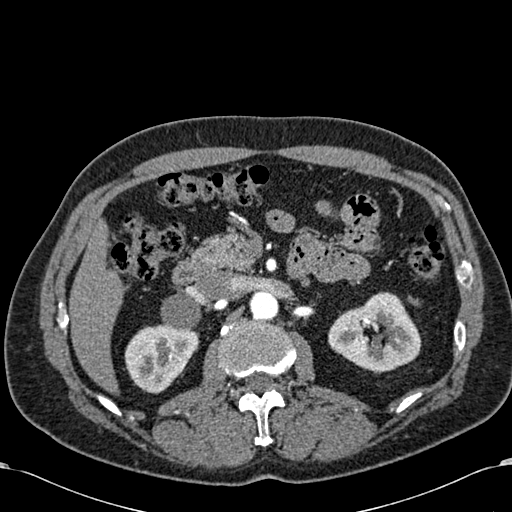
One axial slice (383 of 581, counting up from the lowest) of an arterial-phase abdominal CT acquired with 120 kVp, kernel B30f; each pixel is 0.713 mm and the slice is 1.00 mm thick.
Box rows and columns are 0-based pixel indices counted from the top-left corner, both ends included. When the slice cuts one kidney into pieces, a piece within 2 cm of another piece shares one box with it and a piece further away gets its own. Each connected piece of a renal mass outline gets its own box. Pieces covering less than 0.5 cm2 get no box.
Boxed on this slice (two kidney boxes), listed by box centre from the image's left to its right: (1) Box rows 324–393, columns 124–199: right kidney (outlined area 3,689 px, about 18.7 cm2). (2) Box rows 292–372, columns 328–421: left kidney (outlined area 5,123 px, about 26.0 cm2). No renal mass outline on this slice.